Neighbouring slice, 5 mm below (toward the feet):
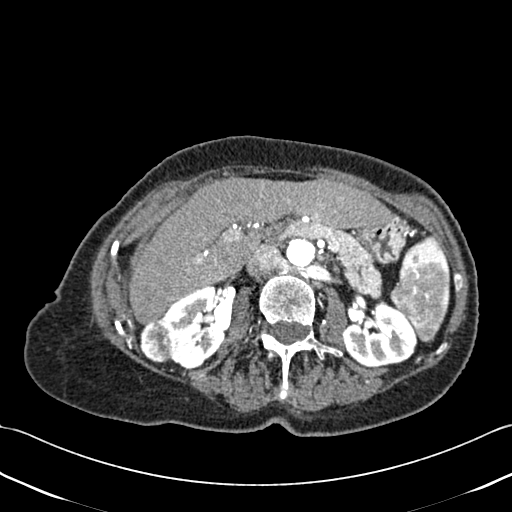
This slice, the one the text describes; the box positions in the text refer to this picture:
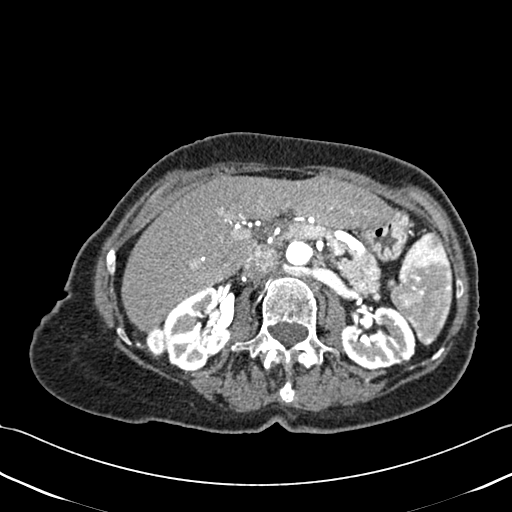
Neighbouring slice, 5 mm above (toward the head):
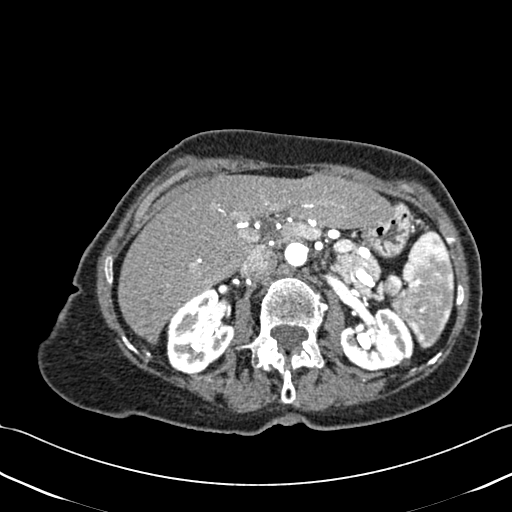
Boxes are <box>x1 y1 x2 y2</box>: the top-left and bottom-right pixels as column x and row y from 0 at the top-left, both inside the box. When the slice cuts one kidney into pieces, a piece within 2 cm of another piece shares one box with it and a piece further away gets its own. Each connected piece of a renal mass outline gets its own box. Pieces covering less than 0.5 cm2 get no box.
Slice 263/433 of a contrast-enhanced abdominal CT, counting up from the lowest; pixel size 0.672 mm, slice thickness 1.00 mm. Two kidney boxes and one renal mass box on this slice; by box centre, from the image's left to its right: (1) At <box>145 328 165 358</box>: right renal mass (outlined area 472 px, about 2.1 cm2). (2) Right kidney at <box>163 287 233 371</box> (outlined area 4,120 px, about 18.6 cm2). (3) Left kidney: <box>340 305 415 370</box> (outlined area 3,585 px, about 16.2 cm2). This slice is near the end of the right renal mass toward the head, so the slices 5 mm below and 5 mm above it are shown as well; the boxes refer to this slice only.
Acquired at 120 kVp and reconstructed with the B30f kernel.